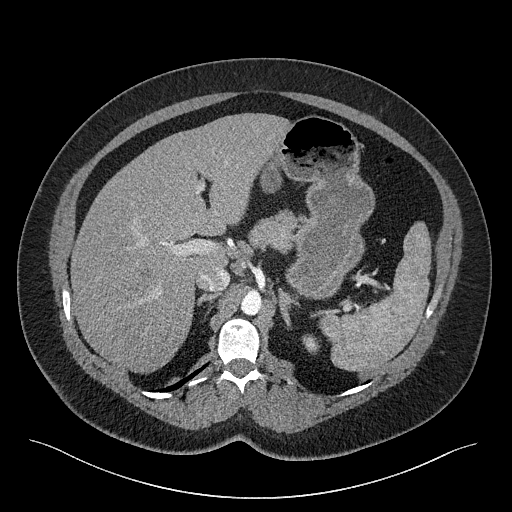
One axial slice (181 of 301, counting up from the lowest) of a contrast-enhanced abdominal CT acquired with 120 kVp, kernel I40f; each pixel is 0.859 mm and the slice is 2.00 mm thick.
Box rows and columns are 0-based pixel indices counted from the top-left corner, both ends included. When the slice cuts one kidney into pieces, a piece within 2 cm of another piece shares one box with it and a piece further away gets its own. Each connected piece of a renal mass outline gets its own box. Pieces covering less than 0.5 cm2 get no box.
Box rows 334–353, columns 302–320: left kidney (outlined area 253 px, about 1.9 cm2). No renal mass outline on this slice.